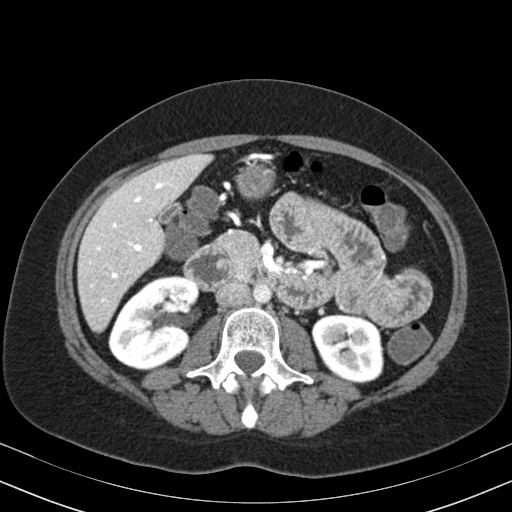
One axial slice (106 of 164, counting up from the lowest) of an arterial-phase abdominal CT acquired with 130 kVp, kernel B30s; each pixel is 0.664 mm and the slice is 3.00 mm thick.
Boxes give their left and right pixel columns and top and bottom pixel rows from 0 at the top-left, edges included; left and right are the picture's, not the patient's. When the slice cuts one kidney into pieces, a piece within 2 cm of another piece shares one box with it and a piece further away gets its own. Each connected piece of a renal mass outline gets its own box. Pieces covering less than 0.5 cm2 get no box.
Two boxes on this slice (two kidney boxes), listed by box centre from the image's left to its right. (1) Right kidney in the box with left 108, top 275, right 199, bottom 370 (outlined area 6,176 px, about 27.2 cm2). (2) Box with left 311, top 314, right 383, bottom 383: left kidney (outlined area 3,937 px, about 17.4 cm2). No renal mass outline on this slice.